One axial slice (55 of 96, counting up from the lowest) of an arterial-phase abdominal CT acquired with 130 kVp, kernel B30s; each pixel is 0.781 mm and the slice is 3.00 mm thick.
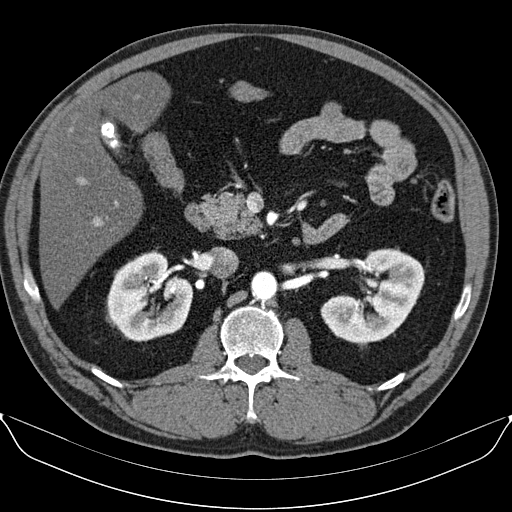
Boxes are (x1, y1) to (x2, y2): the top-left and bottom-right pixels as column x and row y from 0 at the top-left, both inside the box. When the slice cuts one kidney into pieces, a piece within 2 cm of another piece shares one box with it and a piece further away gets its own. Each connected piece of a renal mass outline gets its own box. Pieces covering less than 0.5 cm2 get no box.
Boxed on this slice (two kidney boxes), listed by box centre from the image's left to its right: (1) Right kidney from (107, 252) to (193, 341) (outlined area 5,558 px, about 33.9 cm2). (2) Left kidney from (320, 248) to (424, 348) (outlined area 6,229 px, about 38.0 cm2). No renal mass outline on this slice.